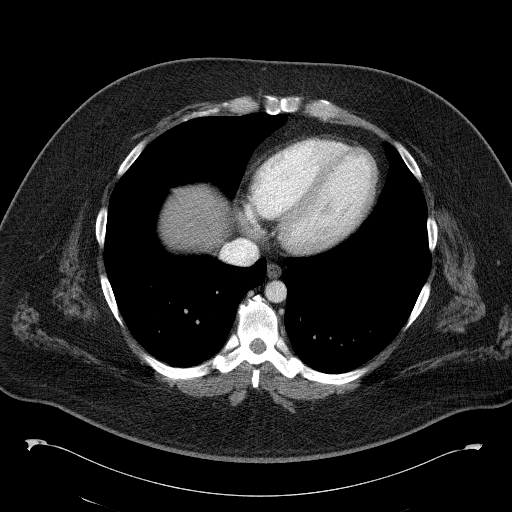
Contrast-enhanced abdominal CT, axial slice 106 of 146 (counted from the lowest slice); tube voltage 120 kVp, convolution kernel B41f; slices 5.00 mm thick, 0.840 mm per pixel.
Outside the outlined region: no kidney outline and no renal mass outline on this slice. The scan's outlines cover only kidneys and renal masses; no other organ is outlined.